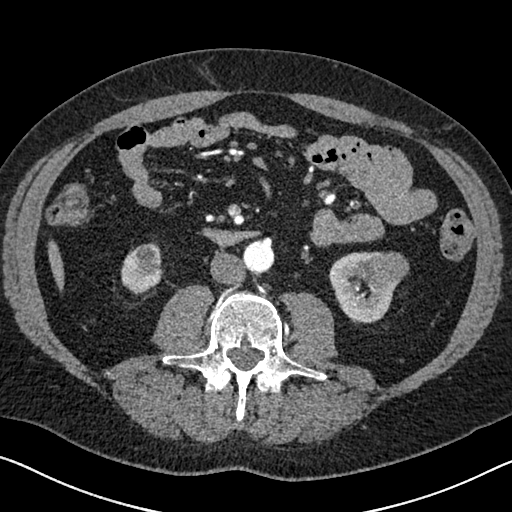
Abdominal CT with intravenous contrast, arterial phase, axial plane, 120 kVp, kernel I30f. Slice 309/626 from the bottom of the scan; thickness 1.00 mm; pixel size 0.703 mm.
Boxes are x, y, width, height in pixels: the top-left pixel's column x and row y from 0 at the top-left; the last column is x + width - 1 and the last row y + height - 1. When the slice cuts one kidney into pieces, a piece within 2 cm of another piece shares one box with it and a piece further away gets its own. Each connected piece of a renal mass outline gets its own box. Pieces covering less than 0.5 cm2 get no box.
Three boxes on this slice (two kidney boxes and one renal mass box), listed by box centre from the image's left to its right. (1) Right kidney, box x 121, y 243, width 42, height 52 (outlined area 1,656 px, about 8.2 cm2). (2) Left kidney, box x 328, y 252, width 72, height 72 (outlined area 2,700 px, about 13.3 cm2). (3) Left renal mass at x 357, y 251, width 53, height 35 (outlined area 1,458 px, about 7.2 cm2).